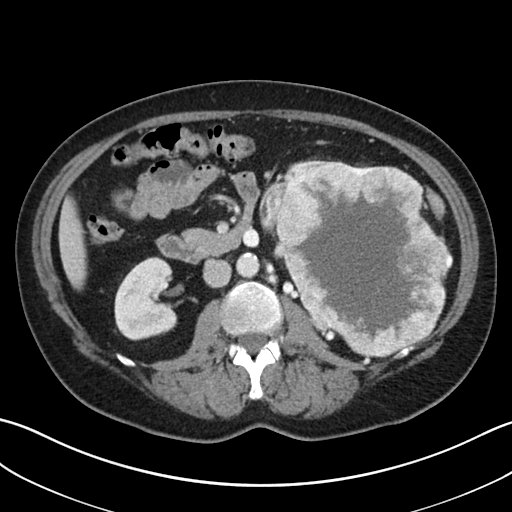
Axial slice 15 of 38 of a contrast-enhanced abdominal CT (slice 1 is the lowest), 100 kVp, kernel I30f; 5.00 mm slice thickness and 0.730 mm pixels.
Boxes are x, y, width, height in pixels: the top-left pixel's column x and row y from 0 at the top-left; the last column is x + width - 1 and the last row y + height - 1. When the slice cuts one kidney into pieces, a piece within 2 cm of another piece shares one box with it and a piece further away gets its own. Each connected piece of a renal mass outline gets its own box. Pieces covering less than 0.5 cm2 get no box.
Boxed on this slice (two kidney boxes and one renal mass box), listed by box centre from the image's left to its right: (1) Right kidney, box x 114, y 256, width 64, height 85 (outlined area 4,100 px, about 21.9 cm2). (2) Left kidney, box x 286, y 157, width 43, height 16 (outlined area 196 px, about 1.0 cm2). (3) Box x 259, y 161, width 195, height 198: left renal mass (outlined area 26,938 px, about 143.7 cm2).